Axial slice 267 of 620 of a contrast-enhanced abdominal CT in the arterial phase (slice 1 is the lowest), 120 kVp, kernel B31f; 2.00 mm slice thickness and 0.637 mm pixels.
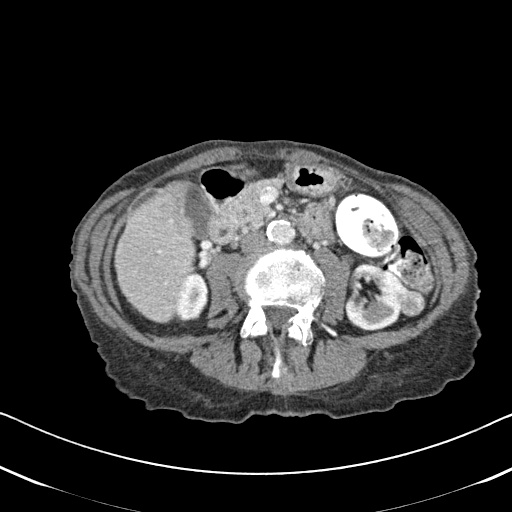
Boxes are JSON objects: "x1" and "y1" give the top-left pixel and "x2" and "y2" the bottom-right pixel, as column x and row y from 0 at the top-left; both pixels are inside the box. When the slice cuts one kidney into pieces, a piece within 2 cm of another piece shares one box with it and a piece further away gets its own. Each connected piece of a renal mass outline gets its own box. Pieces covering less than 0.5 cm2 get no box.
Boxed on this slice (two kidney boxes and one renal mass box), listed by box centre from the image's left to its right: (1) Box {"x1": 177, "y1": 271, "x2": 208, "y2": 323}: right kidney (outlined area 1,246 px, about 5.1 cm2). (2) Left kidney at {"x1": 344, "y1": 263, "x2": 408, "y2": 330} (outlined area 3,031 px, about 12.3 cm2). (3) Left renal mass at {"x1": 398, "y1": 289, "x2": 425, "y2": 316} (outlined area 608 px, about 2.5 cm2).